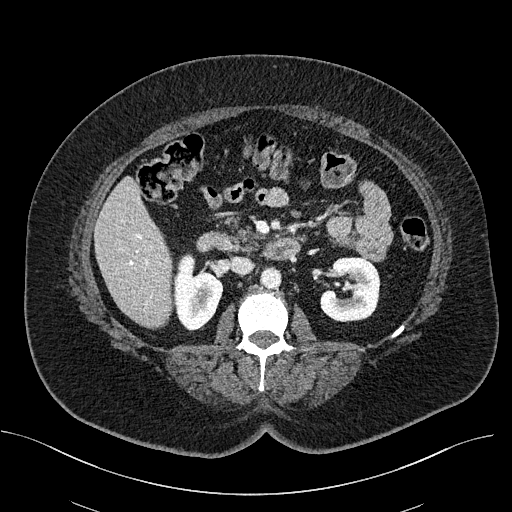
Contrast-enhanced abdominal CT, axial slice 296 of 470 (counted from the lowest slice); tube voltage 100 kVp, convolution kernel I40f; slices 2.00 mm thick, 0.824 mm per pixel.
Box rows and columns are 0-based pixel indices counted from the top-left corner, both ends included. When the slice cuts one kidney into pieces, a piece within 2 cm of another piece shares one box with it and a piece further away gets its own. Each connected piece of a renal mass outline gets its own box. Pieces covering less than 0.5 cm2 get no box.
Boxed on this slice (two kidney boxes), listed by box centre from the image's left to its right: (1) Right kidney, box rows 252–331, columns 172–223 (outlined area 2,754 px, about 18.7 cm2). (2) Box rows 257–321, columns 320–380: left kidney (outlined area 3,042 px, about 20.7 cm2). No renal mass outline on this slice.